Abdominal CT with intravenous contrast, arterial phase, axial plane, 120 kVp, kernel I30f. Slice 441/738 from the bottom of the scan; thickness 1.00 mm; pixel size 0.789 mm.
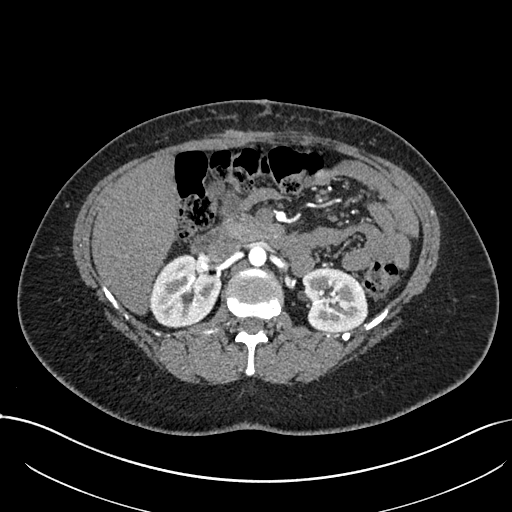
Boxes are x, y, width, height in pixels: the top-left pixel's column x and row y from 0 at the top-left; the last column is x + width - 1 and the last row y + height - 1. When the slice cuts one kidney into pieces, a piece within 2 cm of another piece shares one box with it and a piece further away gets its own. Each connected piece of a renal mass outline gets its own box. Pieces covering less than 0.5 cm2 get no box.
Boxed on this slice (two kidney boxes), listed by box centre from the image's left to its right: (1) Right kidney, box x 150, y 253, width 71, height 75 (outlined area 3,894 px, about 24.2 cm2). (2) Left kidney, box x 301, y 268, width 67, height 65 (outlined area 3,486 px, about 21.7 cm2). No renal mass outline on this slice.